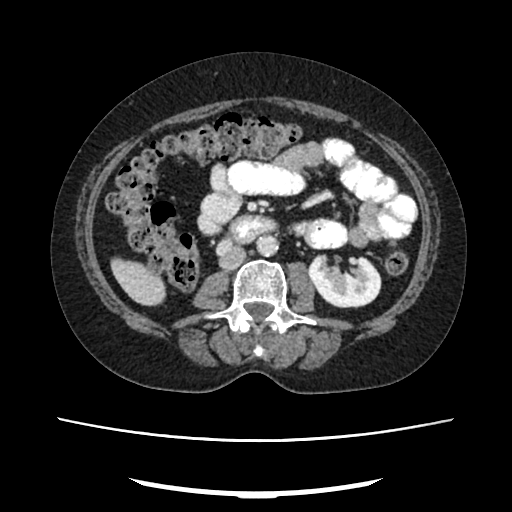
Arterial-phase contrast-enhanced abdominal CT, axial slice 122 of 207 (counted from the lowest slice); tube voltage 120 kVp, convolution kernel FC18; slices 2.00 mm thick, 0.741 mm per pixel.
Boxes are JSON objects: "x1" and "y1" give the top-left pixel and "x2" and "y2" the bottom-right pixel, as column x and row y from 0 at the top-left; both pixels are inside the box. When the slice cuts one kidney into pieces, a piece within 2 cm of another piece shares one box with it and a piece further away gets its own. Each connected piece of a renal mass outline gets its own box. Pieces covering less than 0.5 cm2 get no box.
Left kidney at {"x1": 307, "y1": 254, "x2": 381, "y2": 308} (outlined area 3,029 px, about 16.6 cm2). No renal mass is outlined on this slice.